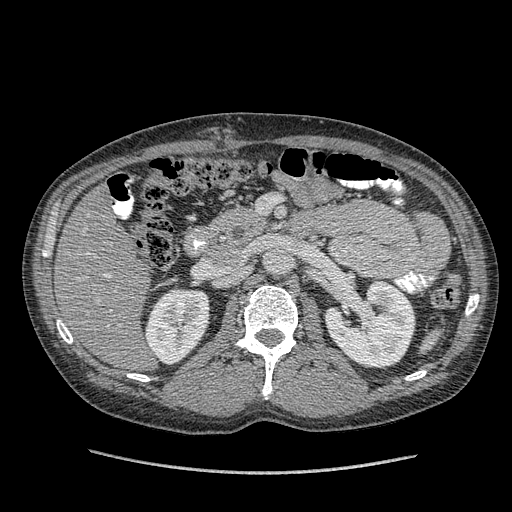
One axial slice (223 of 349, counting up from the lowest) of an arterial-phase abdominal CT acquired with 120 kVp, kernel STANDARD; each pixel is 0.742 mm and the slice is 1.25 mm thick.
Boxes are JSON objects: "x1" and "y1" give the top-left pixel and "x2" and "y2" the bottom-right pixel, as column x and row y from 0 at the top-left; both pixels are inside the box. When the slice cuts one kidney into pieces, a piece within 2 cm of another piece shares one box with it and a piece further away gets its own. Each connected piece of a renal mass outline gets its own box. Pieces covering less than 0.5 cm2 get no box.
Two boxes on this slice (two kidney boxes), listed by box centre from the image's left to its right. (1) Box {"x1": 144, "y1": 287, "x2": 210, "y2": 363}: right kidney (outlined area 3,810 px, about 21.0 cm2). (2) Left kidney at {"x1": 324, "y1": 278, "x2": 415, "y2": 368} (outlined area 5,892 px, about 32.5 cm2). This slice carries no renal mass outline.